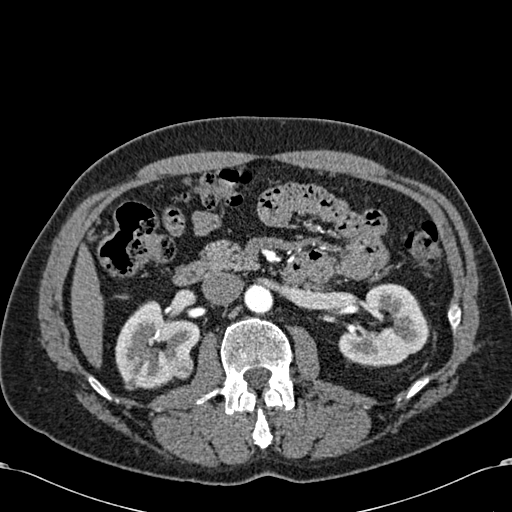
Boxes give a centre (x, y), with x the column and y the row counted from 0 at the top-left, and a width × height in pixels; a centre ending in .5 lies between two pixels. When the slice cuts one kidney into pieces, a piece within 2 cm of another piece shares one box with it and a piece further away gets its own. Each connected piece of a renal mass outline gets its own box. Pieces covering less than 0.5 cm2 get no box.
Arterial-phase contrast-enhanced abdominal CT, axial slice 357 of 581 (counted from the lowest slice); 1.00 mm thick, 0.713 mm per pixel. Boxed on this slice (two kidney boxes and one renal mass box), listed by box centre from the image's left to its right: (1) Box centre (157, 344.5), 85 × 90 pixels: right kidney (outlined area 4,959 px, about 25.2 cm2). (2) Right renal mass in a box with centre (179.5, 366.5), 28 × 26 pixels (outlined area 575 px, about 2.9 cm2). (3) Left kidney, box centre (383, 325), 91 × 85 pixels (outlined area 5,088 px, about 25.9 cm2).
Scan settings: 120 kVp, B30f reconstruction kernel.